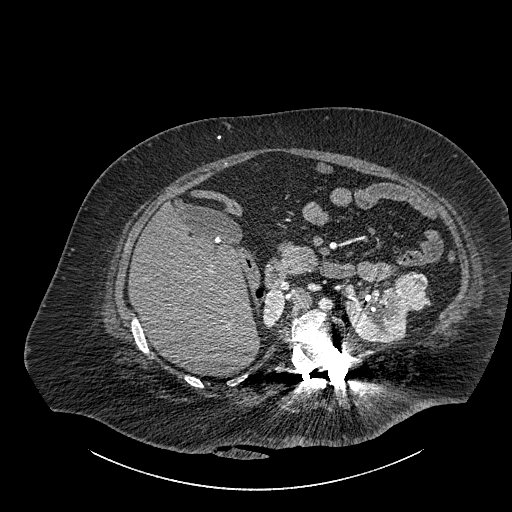
One axial slice (558 of 834, counting up from the lowest) of a contrast-enhanced abdominal CT acquired with 140 kVp, kernel I30f; each pixel is 0.977 mm and the slice is 1.00 mm thick.
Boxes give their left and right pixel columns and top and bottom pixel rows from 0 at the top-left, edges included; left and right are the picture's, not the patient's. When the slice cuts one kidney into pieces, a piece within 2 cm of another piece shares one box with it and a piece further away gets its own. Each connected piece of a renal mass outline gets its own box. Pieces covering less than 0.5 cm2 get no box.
Boxed on this slice (two kidney boxes and one renal mass box), listed by box centre from the image's left to its right: (1) Right part of the midline-crossing kidney, the box with left 262, top 287, right 284, bottom 326 (outlined area 657 px, about 6.3 cm2). (2) Box with left 344, top 286, right 413, bottom 343: left part of the midline-crossing kidney (outlined area 2,562 px, about 24.4 cm2). (3) Renal mass in the box with left 394, top 271, right 428, bottom 310 (outlined area 1,082 px, about 10.3 cm2).